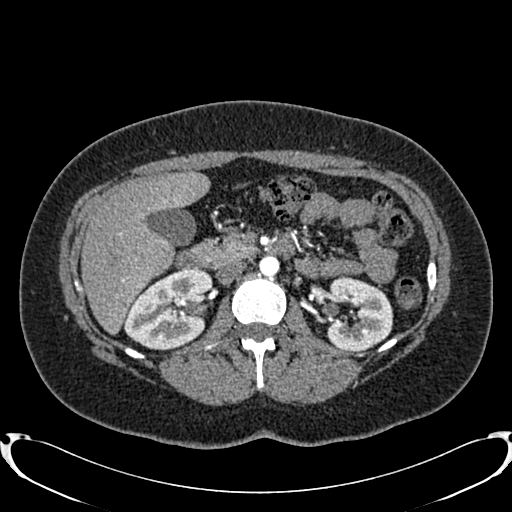
One axial slice (482 of 719, counting up from the lowest) of an arterial-phase abdominal CT acquired with 120 kVp, kernel B20f; each pixel is 0.766 mm and the slice is 1.00 mm thick.
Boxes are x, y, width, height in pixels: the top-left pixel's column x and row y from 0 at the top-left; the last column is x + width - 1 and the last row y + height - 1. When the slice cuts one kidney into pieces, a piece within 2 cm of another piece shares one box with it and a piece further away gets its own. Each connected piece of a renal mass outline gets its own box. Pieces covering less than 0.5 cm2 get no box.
Two boxes on this slice (two kidney boxes), listed by box centre from the image's left to its right. (1) Box x 123, y 268, width 91, height 83: right kidney (outlined area 5,315 px, about 31.2 cm2). (2) Box x 326, y 276, width 67, height 76: left kidney (outlined area 3,869 px, about 22.7 cm2). No renal mass outline on this slice.